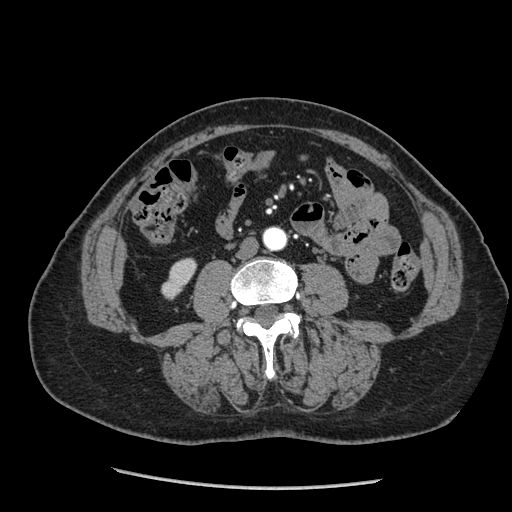
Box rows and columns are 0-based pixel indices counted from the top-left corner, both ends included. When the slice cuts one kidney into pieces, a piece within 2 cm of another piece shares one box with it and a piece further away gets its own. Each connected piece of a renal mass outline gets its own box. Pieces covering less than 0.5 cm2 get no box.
This is axial slice 84 of 233 (slice 1 is the lowest) of an arterial-phase abdominal CT with contrast; each pixel is 0.703 mm and the slice is 1.25 mm thick. Right kidney, box rows 257–300, columns 161–197 (outlined area 915 px, about 4.5 cm2). No renal mass outline on this slice.
Tube voltage 120 kVp; convolution kernel STANDARD.